One axial slice (79 of 279, counting up from the lowest) of an arterial-phase abdominal CT acquired with 120 kVp, kernel B31f; each pixel is 0.824 mm and the slice is 2.00 mm thick.
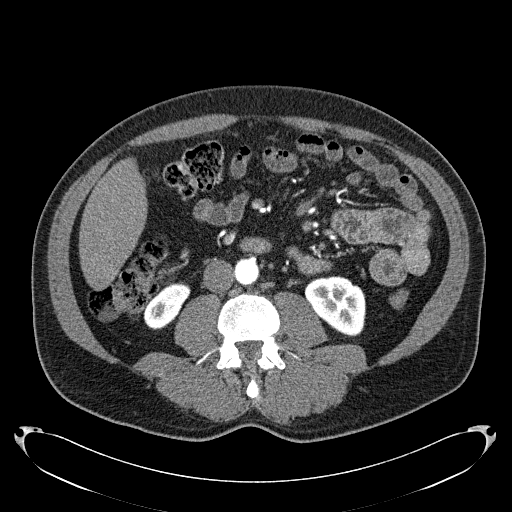
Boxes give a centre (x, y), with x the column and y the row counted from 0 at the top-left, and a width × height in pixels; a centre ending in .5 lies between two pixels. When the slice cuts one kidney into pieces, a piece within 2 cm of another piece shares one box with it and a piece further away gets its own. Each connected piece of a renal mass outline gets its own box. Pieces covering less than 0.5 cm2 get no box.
Two boxes on this slice (two kidney boxes), listed by box centre from the image's left to its right. (1) Right kidney, box centre (166.5, 305), 48 × 49 pixels (outlined area 1,446 px, about 9.8 cm2). (2) Box centre (334.5, 306), 62 × 61 pixels: left kidney (outlined area 2,721 px, about 18.5 cm2). This slice carries no renal mass outline.